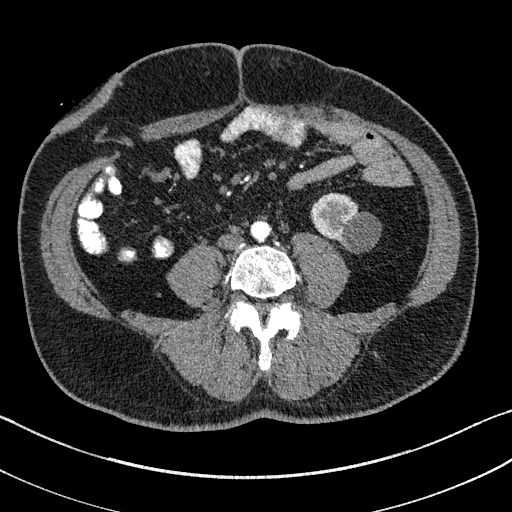
Arterial-phase contrast-enhanced abdominal CT, axial slice 36 of 195 (counted from the lowest slice); tube voltage 100 kVp, convolution kernel I31f; slices 1.50 mm thick, 0.707 mm per pixel.
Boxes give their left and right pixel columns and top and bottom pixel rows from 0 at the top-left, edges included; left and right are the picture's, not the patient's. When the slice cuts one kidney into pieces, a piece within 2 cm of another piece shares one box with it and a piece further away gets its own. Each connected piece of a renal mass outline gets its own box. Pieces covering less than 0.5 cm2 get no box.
Left kidney in the box with left 311, top 193, right 379, bottom 251 (outlined area 2,680 px, about 13.4 cm2). This slice carries no renal mass outline.